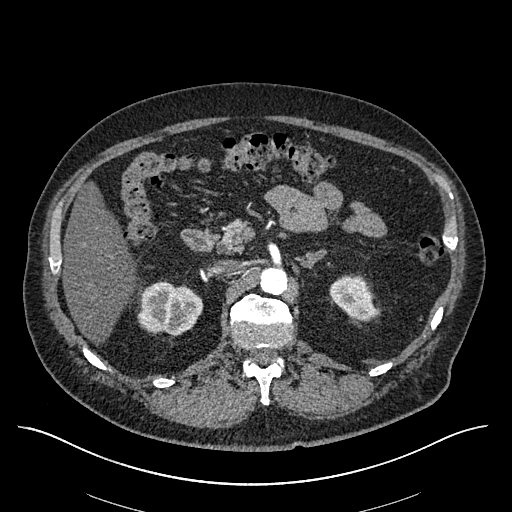
Arterial-phase contrast-enhanced abdominal CT, axial slice 383 of 670 (counted from the lowest slice); tube voltage 120 kVp, convolution kernel I30f; slices 1.00 mm thick, 0.861 mm per pixel.
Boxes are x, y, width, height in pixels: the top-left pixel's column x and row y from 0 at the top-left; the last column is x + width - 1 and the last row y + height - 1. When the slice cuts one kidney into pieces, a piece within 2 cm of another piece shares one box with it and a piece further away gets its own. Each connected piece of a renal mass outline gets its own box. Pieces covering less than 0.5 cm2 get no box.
Two kidney boxes on this slice; by box centre, from the image's left to its right: (1) Right kidney at x 137, y 281, width 67, height 55 (outlined area 2,758 px, about 20.5 cm2). (2) Left kidney, box x 329, y 275, width 48, height 48 (outlined area 1,567 px, about 11.6 cm2). No renal mass is outlined on this slice.